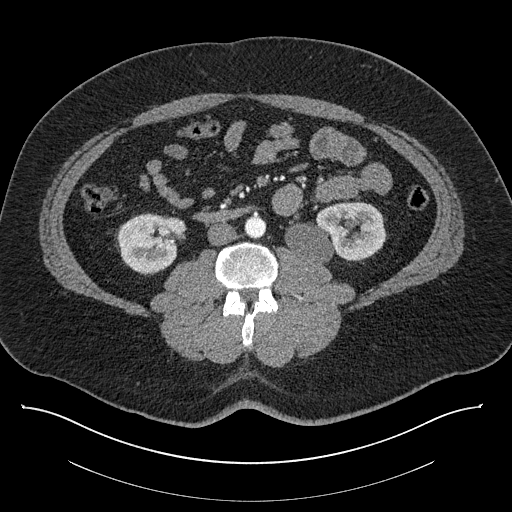
One axial slice (414 of 787, counting up from the lowest) of a contrast-enhanced abdominal CT acquired with 140 kVp, kernel I30f; each pixel is 0.910 mm and the slice is 1.00 mm thick.
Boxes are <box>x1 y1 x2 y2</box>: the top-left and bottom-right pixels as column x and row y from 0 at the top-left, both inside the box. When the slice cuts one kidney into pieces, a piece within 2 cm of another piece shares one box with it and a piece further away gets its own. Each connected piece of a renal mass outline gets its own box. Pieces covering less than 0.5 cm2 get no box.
Two kidney boxes on this slice; by box centre, from the image's left to its right: (1) Right kidney: <box>117 213 185 274</box> (outlined area 3,142 px, about 26.0 cm2). (2) Left kidney at <box>284 201 386 263</box> (outlined area 4,636 px, about 38.4 cm2). No renal mass is outlined on this slice.